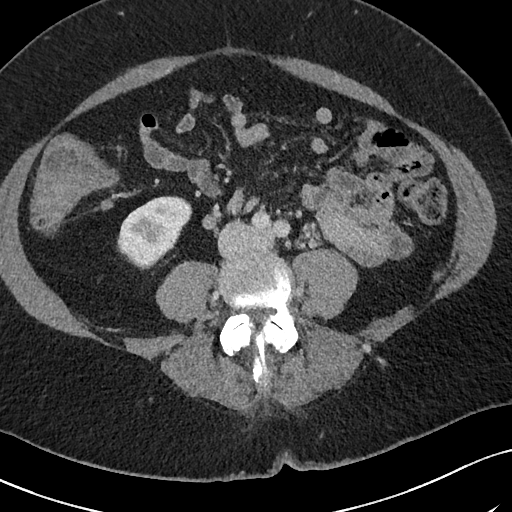
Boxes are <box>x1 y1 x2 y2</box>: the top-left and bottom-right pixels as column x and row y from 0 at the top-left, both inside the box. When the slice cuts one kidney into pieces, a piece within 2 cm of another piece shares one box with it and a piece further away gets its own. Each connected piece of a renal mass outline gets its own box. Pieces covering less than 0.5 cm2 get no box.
This is axial slice 23 of 69 (slice 1 is the lowest) of an arterial-phase abdominal CT with contrast; each pixel is 0.664 mm and the slice is 3.00 mm thick. Right kidney: <box>117 196 192 269</box> (outlined area 3,676 px, about 16.2 cm2). No renal mass is outlined on this slice.
Scan settings: 120 kVp, I40f reconstruction kernel.